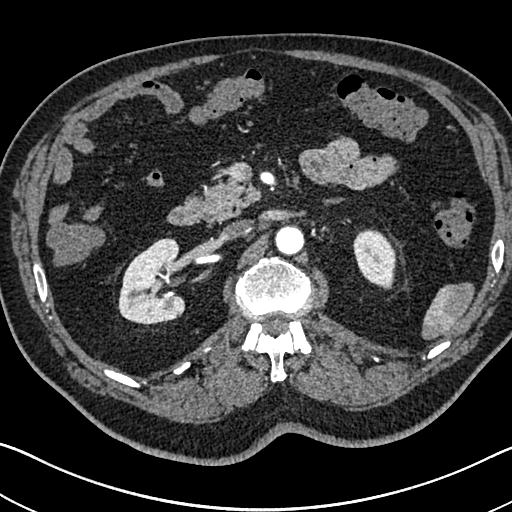
Arterial-phase contrast-enhanced abdominal CT, axial slice 454 of 705 (counted from the lowest slice); tube voltage 120 kVp, convolution kernel I30f; slices 1.00 mm thick, 0.703 mm per pixel.
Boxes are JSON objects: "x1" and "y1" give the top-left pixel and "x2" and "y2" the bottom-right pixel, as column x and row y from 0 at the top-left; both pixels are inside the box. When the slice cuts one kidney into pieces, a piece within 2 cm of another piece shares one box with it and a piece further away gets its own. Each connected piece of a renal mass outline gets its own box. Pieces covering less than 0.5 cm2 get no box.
Boxed on this slice (two kidney boxes), listed by box centre from the image's left to its right: (1) Right kidney, box {"x1": 118, "y1": 238, "x2": 184, "y2": 325} (outlined area 4,340 px, about 21.5 cm2). (2) Box {"x1": 352, "y1": 229, "x2": 396, "y2": 289}: left kidney (outlined area 1,955 px, about 9.7 cm2). No renal mass is outlined on this slice.